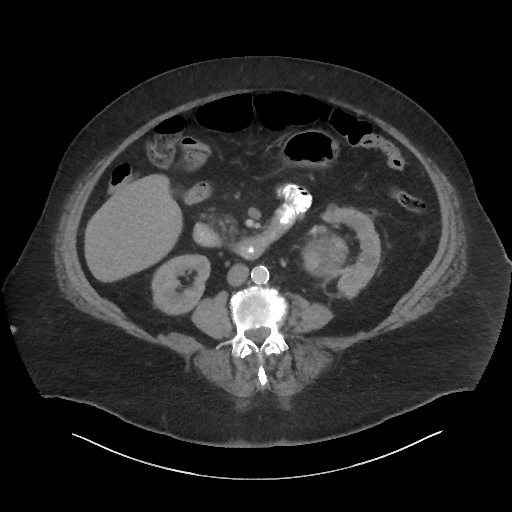
Contrast-enhanced abdominal CT, axial slice 26 of 86 (counted from the lowest slice); tube voltage 140 kVp, convolution kernel I44f; slices 3.00 mm thick, 0.977 mm per pixel.
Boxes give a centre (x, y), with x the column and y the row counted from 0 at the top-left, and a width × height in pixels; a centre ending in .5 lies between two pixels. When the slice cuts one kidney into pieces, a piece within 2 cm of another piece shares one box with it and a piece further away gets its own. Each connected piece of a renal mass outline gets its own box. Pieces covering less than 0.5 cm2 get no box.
Two kidney boxes and one renal mass box on this slice; by box centre, from the image's left to its right: (1) Right kidney in a box with centre (180.5, 284.5), 60 × 62 pixels (outlined area 2,680 px, about 25.6 cm2). (2) Left renal mass, box centre (326, 253), 51 × 55 pixels (outlined area 1,972 px, about 18.8 cm2). (3) Left kidney in a box with centre (348, 252), 67 × 93 pixels (outlined area 2,807 px, about 26.8 cm2).